Arterial-phase contrast-enhanced abdominal CT, axial slice 96 of 325 (counted from the lowest slice); tube voltage 100 kVp, convolution kernel I30f; slices 1.00 mm thick, 0.703 mm per pixel.
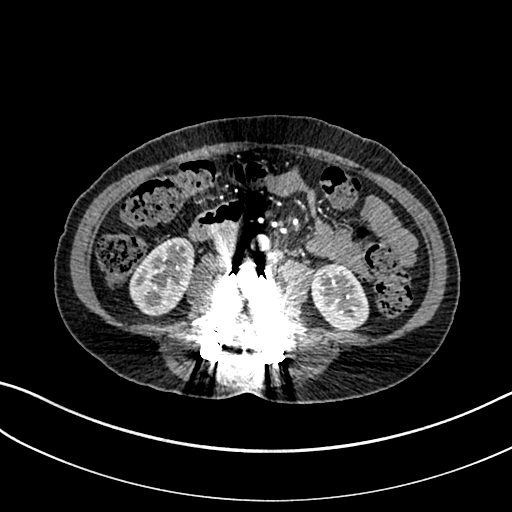
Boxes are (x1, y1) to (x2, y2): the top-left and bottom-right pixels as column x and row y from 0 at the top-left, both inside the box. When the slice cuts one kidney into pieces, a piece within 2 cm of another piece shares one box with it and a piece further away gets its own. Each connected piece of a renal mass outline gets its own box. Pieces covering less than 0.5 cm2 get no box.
Two kidney boxes on this slice; by box centre, from the image's left to its right: (1) Box (129, 237) to (194, 316): right kidney (outlined area 3,729 px, about 18.4 cm2). (2) Left kidney, box (310, 263) to (369, 330) (outlined area 2,974 px, about 14.7 cm2). This slice carries no renal mass outline.